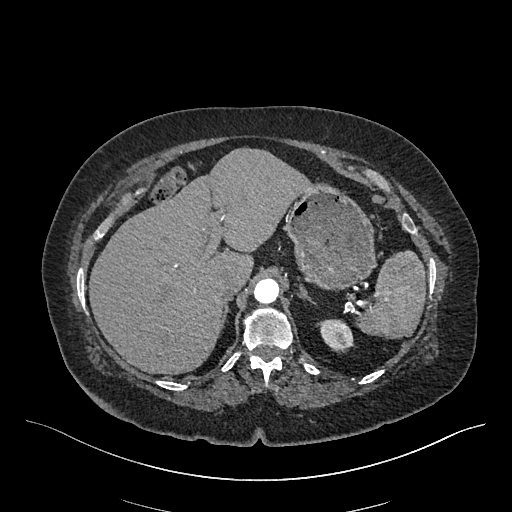
One axial slice (364 of 548, counting up from the lowest) of an arterial-phase abdominal CT acquired with 120 kVp, kernel I26f; each pixel is 0.852 mm and the slice is 1.00 mm thick.
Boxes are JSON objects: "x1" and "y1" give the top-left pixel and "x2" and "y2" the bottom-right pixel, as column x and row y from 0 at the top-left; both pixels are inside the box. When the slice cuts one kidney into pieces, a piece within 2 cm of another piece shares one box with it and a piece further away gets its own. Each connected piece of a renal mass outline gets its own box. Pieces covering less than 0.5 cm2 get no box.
Box {"x1": 316, "y1": 319, "x2": 354, "y2": 351}: left kidney (outlined area 885 px, about 6.4 cm2). This slice carries no renal mass outline.